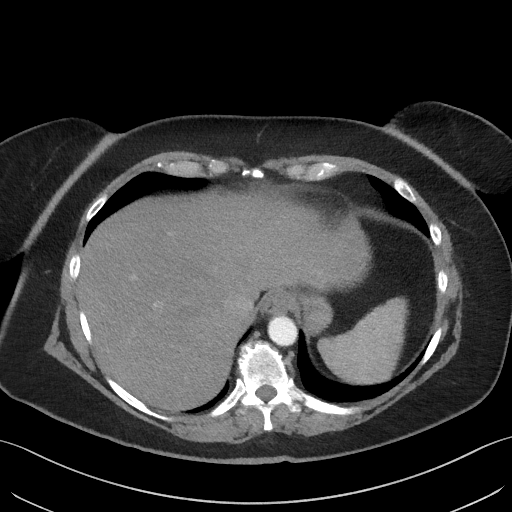
Axial slice 59 of 69 of a contrast-enhanced abdominal CT (slice 1 is the lowest), 140 kVp, kernel I41f; 3.00 mm slice thickness and 0.736 mm pixels.
Outside the outlined region: no kidney outline and no renal mass outline on this slice. The scan's outlines cover only kidneys and renal masses; no other organ is outlined.